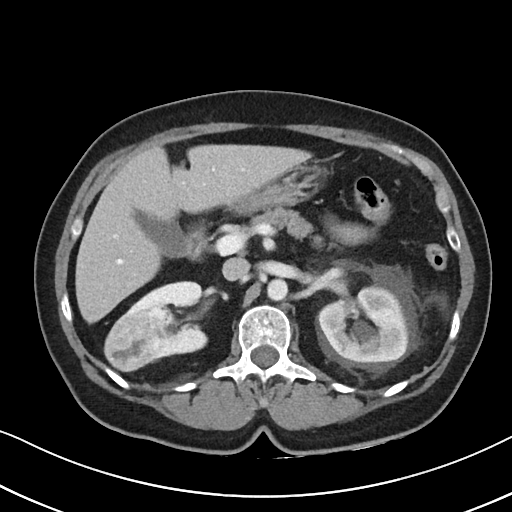
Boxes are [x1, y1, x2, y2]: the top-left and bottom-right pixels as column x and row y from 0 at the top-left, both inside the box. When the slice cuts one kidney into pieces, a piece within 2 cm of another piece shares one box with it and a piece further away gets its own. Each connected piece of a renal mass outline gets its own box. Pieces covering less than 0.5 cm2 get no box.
Contrast-enhanced abdominal CT, axial slice 62 of 88 (counted from the lowest slice); 5.00 mm thick, 0.674 mm per pixel. Three boxes on this slice (two kidney boxes and one renal mass box), listed by box centre from the image's left to its right. (1) Right renal mass at [104, 309, 165, 371] (outlined area 2,713 px, about 12.3 cm2). (2) Right kidney at [126, 281, 208, 359] (outlined area 3,465 px, about 15.7 cm2). (3) Left kidney at [319, 285, 408, 363] (outlined area 5,328 px, about 24.2 cm2).
Scan settings: 100 kVp, I40f reconstruction kernel.